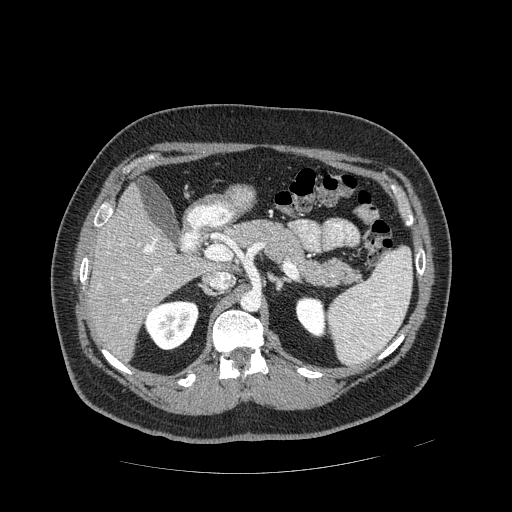
Arterial-phase contrast-enhanced abdominal CT, axial slice 284 of 389 (counted from the lowest slice); tube voltage 120 kVp, convolution kernel STANDARD; slices 1.25 mm thick, 0.869 mm per pixel.
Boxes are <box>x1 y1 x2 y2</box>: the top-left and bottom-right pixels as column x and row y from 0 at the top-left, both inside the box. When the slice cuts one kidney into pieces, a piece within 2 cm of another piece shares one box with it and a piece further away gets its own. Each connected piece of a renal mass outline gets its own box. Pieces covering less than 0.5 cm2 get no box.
Two kidney boxes on this slice; by box centre, from the image's left to its right: (1) Right kidney: <box>144 300 199 350</box> (outlined area 2,111 px, about 15.9 cm2). (2) At <box>295 296 326 337</box>: left kidney (outlined area 997 px, about 7.5 cm2). No renal mass is outlined on this slice.